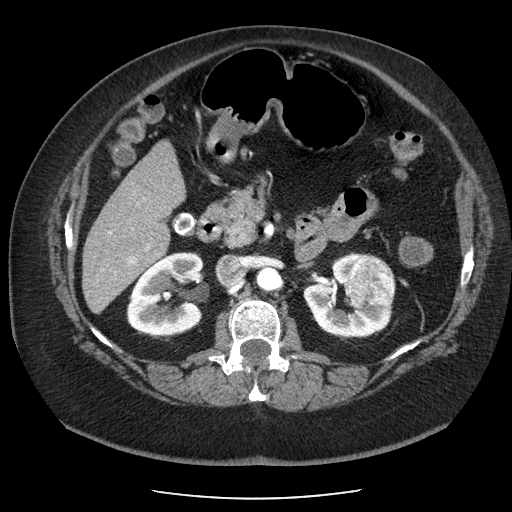
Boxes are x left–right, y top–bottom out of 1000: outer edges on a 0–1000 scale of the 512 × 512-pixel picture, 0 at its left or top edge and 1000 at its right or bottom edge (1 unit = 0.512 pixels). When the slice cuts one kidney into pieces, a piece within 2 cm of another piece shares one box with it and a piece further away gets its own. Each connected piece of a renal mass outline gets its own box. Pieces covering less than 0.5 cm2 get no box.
This is axial slice 127 of 186 (slice 1 is the lowest) of an arterial-phase abdominal CT with contrast; each pixel is 0.742 mm and the slice is 2.50 mm thick. Three boxes on this slice (two kidney boxes and one renal mass box), listed by box centre from the image's left to its right. (1) Right kidney, box x 246–400, y 492–658 out of 1000 (outlined area 5,103 px, about 28.1 cm2). (2) Box x 592–768, y 492–658 out of 1000: left kidney (outlined area 3,825 px, about 21.1 cm2). (3) Box x 680–773, y 494–602 out of 1000: left renal mass (outlined area 2,046 px, about 11.3 cm2).
Acquired at 120 kVp and reconstructed with the STANDARD kernel.